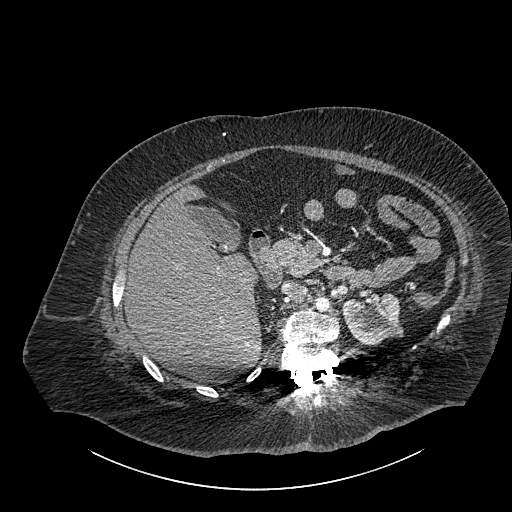
Axial slice 585 of 834 of a contrast-enhanced abdominal CT (slice 1 is the lowest), 140 kVp, kernel I30f; 1.00 mm slice thickness and 0.977 mm pixels.
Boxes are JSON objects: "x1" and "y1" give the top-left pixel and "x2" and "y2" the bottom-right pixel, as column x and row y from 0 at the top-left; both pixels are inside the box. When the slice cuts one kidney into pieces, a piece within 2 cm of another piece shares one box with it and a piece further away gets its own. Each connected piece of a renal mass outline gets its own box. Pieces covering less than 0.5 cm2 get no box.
Box {"x1": 342, "y1": 292, "x2": 403, "y2": 344}: left part of the midline-crossing kidney (outlined area 2,440 px, about 23.3 cm2).